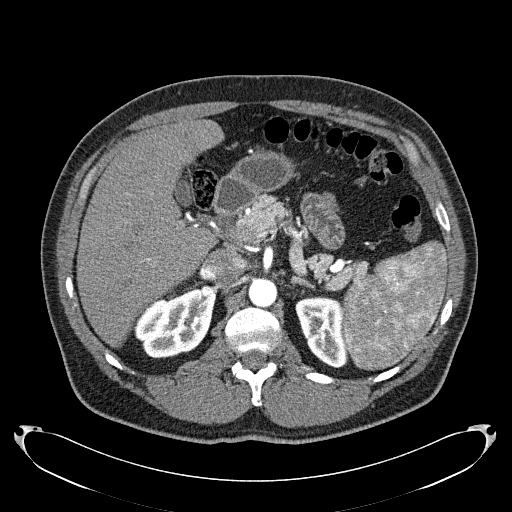
Abdominal CT with intravenous contrast, arterial phase, axial plane, 120 kVp, kernel B31f. Slice 153/279 from the bottom of the scan; thickness 2.00 mm; pixel size 0.824 mm.
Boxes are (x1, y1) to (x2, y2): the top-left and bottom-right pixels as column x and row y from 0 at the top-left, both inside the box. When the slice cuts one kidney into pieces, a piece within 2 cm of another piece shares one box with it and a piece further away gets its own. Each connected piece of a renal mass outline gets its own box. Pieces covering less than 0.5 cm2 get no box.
Boxed on this slice (two kidney boxes), listed by box centre from the image's left to its right: (1) Box (133, 285) to (216, 358): right kidney (outlined area 4,151 px, about 28.2 cm2). (2) Left kidney, box (295, 296) to (348, 367) (outlined area 2,686 px, about 18.2 cm2). This slice carries no renal mass outline.